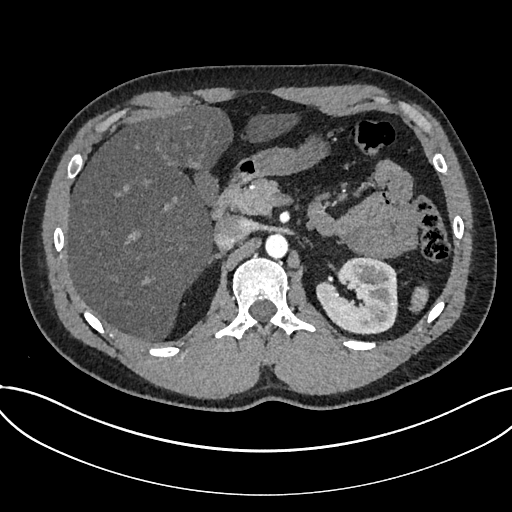
Axial slice 490 of 735 of a contrast-enhanced abdominal CT in the arterial phase (slice 1 is the lowest), 120 kVp, kernel I30f; 1.00 mm slice thickness and 0.789 mm pixels.
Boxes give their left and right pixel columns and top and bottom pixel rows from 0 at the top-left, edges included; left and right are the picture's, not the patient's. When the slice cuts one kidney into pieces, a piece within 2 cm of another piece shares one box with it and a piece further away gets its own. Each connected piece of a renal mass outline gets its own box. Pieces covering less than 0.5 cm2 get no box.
Kidney, the box with left 316, top 256, right 398, bottom 334 (outlined area 4,826 px, about 30.0 cm2). No renal mass outline on this slice.